One axial slice (312 of 626, counting up from the lowest) of an arterial-phase abdominal CT acquired with 120 kVp, kernel I30f; each pixel is 0.703 mm and the slice is 1.00 mm thick.
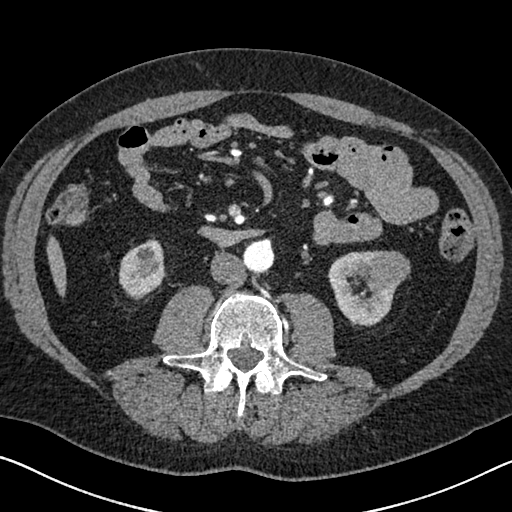
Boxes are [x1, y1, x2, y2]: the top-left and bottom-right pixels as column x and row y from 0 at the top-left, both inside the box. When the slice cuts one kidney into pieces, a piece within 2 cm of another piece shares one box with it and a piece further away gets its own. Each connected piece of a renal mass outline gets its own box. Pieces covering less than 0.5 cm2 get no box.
Boxed on this slice (two kidney boxes and one renal mass box), listed by box centre from the image's left to its right: (1) Box [119, 238, 164, 299]: right kidney (outlined area 2,090 px, about 10.3 cm2). (2) Left kidney at [327, 251, 400, 326] (outlined area 2,908 px, about 14.4 cm2). (3) Left renal mass, box [359, 250, 410, 286] (outlined area 1,529 px, about 7.6 cm2).